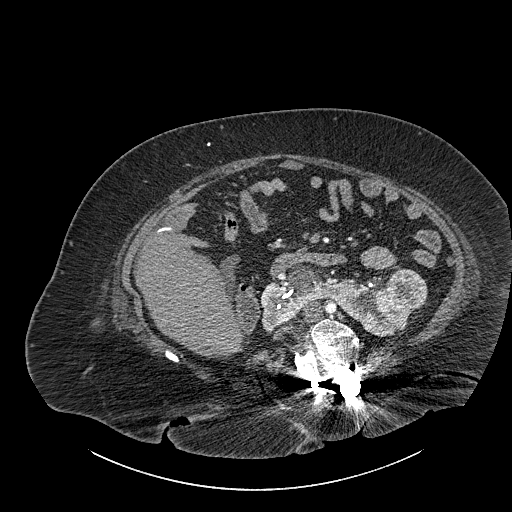
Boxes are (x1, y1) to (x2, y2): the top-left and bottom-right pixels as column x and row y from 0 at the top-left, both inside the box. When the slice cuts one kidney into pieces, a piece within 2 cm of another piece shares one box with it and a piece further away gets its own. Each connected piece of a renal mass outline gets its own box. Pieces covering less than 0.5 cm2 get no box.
Slice 503/834 of a contrast-enhanced abdominal CT, counting up from the lowest; pixel size 0.977 mm, slice thickness 1.00 mm. Two boxes on this slice (one kidney box and one renal mass box), listed by box centre from the image's left to its right. (1) Box (260, 263) to (410, 337): kidney crossing the body midline (outlined area 5,574 px, about 53.2 cm2). (2) Renal mass from (386, 269) to (427, 312) (outlined area 1,522 px, about 14.5 cm2).
Acquired at 140 kVp and reconstructed with the I30f kernel.